Abdominal CT with intravenous contrast, axial plane, 120 kVp, kernel I30f. Slice 26/60 from the bottom of the scan; thickness 5.00 mm; pixel size 0.971 mm.
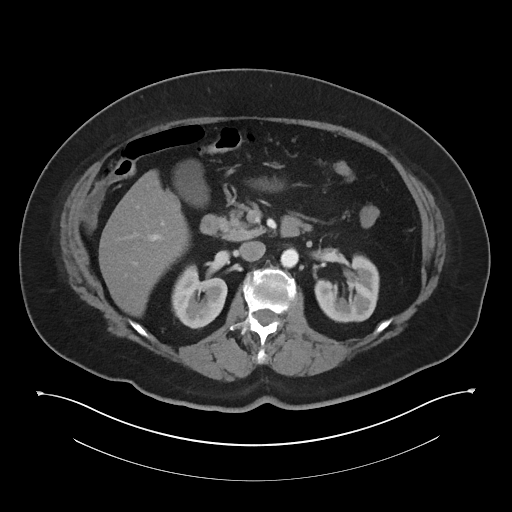
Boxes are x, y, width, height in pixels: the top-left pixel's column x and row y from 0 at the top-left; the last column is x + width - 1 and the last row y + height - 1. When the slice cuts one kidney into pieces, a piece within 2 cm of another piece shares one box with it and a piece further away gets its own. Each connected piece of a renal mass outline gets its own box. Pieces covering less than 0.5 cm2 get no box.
Two boxes on this slice (two kidney boxes), listed by box centre from the image's left to its right. (1) Right kidney, box x 171, y 264, width 57, height 65 (outlined area 2,506 px, about 23.6 cm2). (2) Box x 314, y 254, width 66, height 69: left kidney (outlined area 3,010 px, about 28.4 cm2). No renal mass outline on this slice.